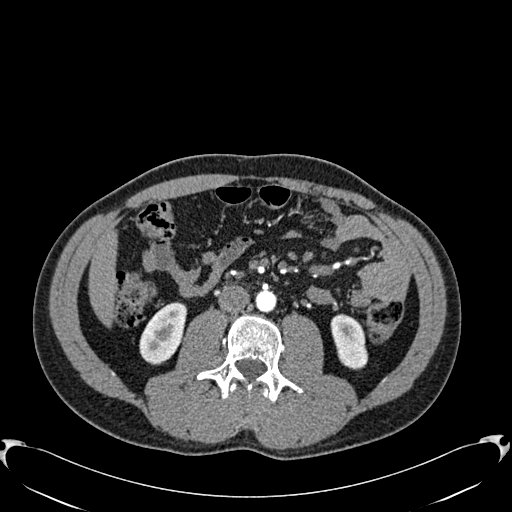
Arterial-phase contrast-enhanced abdominal CT, axial slice 286 of 512 (counted from the lowest slice); tube voltage 120 kVp, convolution kernel B30f; slices 1.00 mm thick, 0.771 mm per pixel.
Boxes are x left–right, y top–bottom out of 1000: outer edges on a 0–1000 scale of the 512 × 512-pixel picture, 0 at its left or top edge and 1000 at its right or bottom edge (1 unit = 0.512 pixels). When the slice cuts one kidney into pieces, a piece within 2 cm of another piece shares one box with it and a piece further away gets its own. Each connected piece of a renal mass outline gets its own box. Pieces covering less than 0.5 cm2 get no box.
Two boxes on this slice (two kidney boxes), listed by box centre from the image's left to its right. (1) Box x 271–367, y 590–713 out of 1000: right kidney (outlined area 2,110 px, about 12.6 cm2). (2) Left kidney at x 645–721, y 613–723 out of 1000 (outlined area 1,562 px, about 9.3 cm2). This slice carries no renal mass outline.